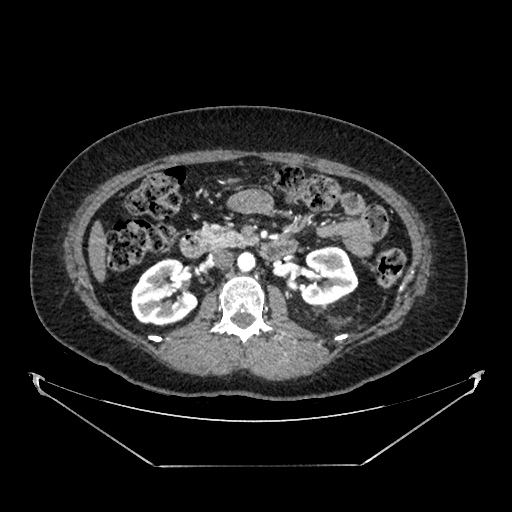
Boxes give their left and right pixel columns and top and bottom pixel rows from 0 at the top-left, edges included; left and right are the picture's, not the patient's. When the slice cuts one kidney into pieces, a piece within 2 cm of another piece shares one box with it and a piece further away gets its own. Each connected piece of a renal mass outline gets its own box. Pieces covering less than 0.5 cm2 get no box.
Slice 226/383 of a contrast-enhanced abdominal CT in the arterial phase, counting up from the lowest; pixel size 0.898 mm, slice thickness 1.25 mm. Two kidney boxes on this slice; by box centre, from the image's left to its right: (1) Box with left 131, top 258, right 198, bottom 325: right kidney (outlined area 3,351 px, about 27.0 cm2). (2) Left kidney, the box with left 292, top 246, right 358, bottom 305 (outlined area 2,820 px, about 22.8 cm2). No renal mass outline on this slice.
Scan settings: 100 kVp, SOFT reconstruction kernel.